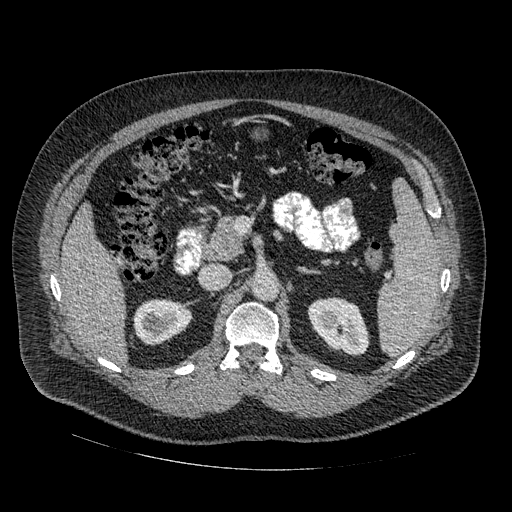
Axial slice 302 of 445 of a contrast-enhanced abdominal CT in the arterial phase (slice 1 is the lowest), 120 kVp, kernel STANDARD; 1.25 mm slice thickness and 0.863 mm pixels.
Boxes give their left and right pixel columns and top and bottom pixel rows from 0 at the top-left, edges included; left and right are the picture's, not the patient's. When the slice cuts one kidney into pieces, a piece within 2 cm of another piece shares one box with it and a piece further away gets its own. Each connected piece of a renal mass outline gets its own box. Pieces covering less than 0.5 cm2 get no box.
Boxed on this slice (two kidney boxes), listed by box centre from the image's left to its right: (1) Right kidney, the box with left 133, top 299, right 192, bottom 343 (outlined area 2,060 px, about 15.4 cm2). (2) Box with left 308, top 297, right 369, bottom 356: left kidney (outlined area 2,593 px, about 19.3 cm2). No renal mass outline on this slice.